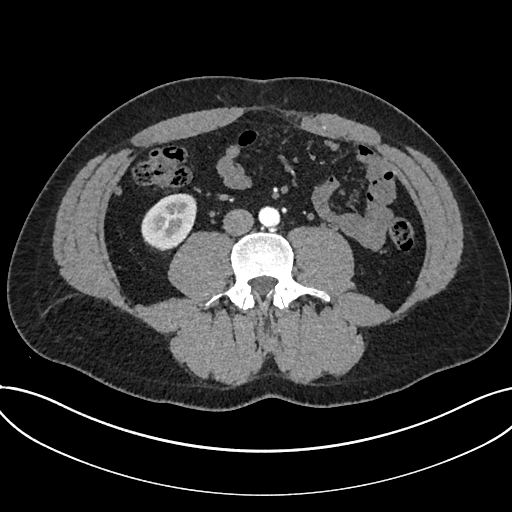
Arterial-phase contrast-enhanced abdominal CT, axial slice 288 of 735 (counted from the lowest slice); tube voltage 120 kVp, convolution kernel I30f; slices 1.00 mm thick, 0.789 mm per pixel.
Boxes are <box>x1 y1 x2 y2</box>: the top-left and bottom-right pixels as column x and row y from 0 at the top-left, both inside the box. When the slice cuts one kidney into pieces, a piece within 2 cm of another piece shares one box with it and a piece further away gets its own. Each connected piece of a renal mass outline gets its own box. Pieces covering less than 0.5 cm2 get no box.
Kidney: <box>141 193 196 251</box> (outlined area 2,418 px, about 15.1 cm2). No renal mass is outlined on this slice.